Axial slice 135 of 470 of a contrast-enhanced abdominal CT in the arterial phase (slice 1 is the lowest), 120 kVp, kernel I26f; 1.00 mm slice thickness and 0.938 mm pixels.
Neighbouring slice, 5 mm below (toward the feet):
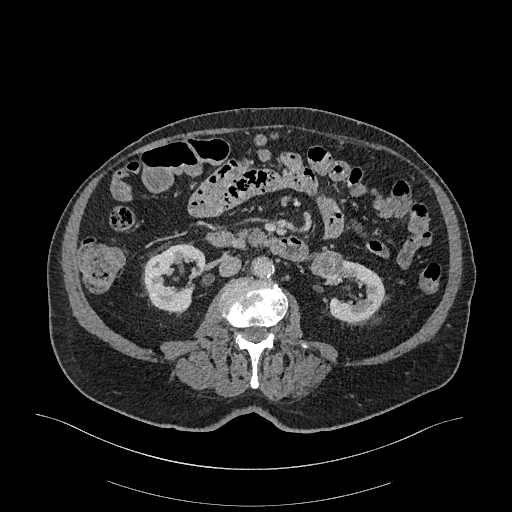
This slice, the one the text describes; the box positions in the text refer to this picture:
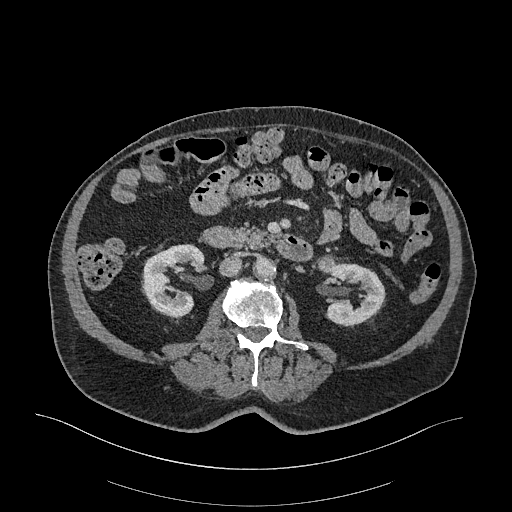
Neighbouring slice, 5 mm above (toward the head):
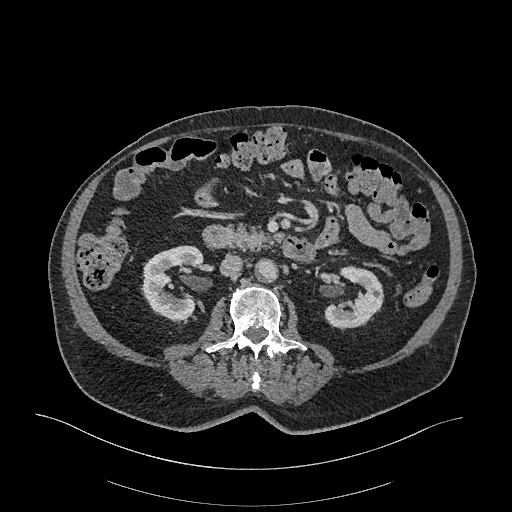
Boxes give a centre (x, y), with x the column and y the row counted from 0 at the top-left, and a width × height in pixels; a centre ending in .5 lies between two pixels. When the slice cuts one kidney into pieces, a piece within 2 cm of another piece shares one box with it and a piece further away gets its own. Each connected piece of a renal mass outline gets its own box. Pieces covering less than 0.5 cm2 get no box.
Two kidney boxes and one renal mass box on this slice; by box centre, from the image's left to its right: (1) Box centre (173.5, 281.5), 64 × 76 pixels: right kidney (outlined area 3,207 px, about 28.2 cm2). (2) Box centre (325.5, 263.5), 16 × 14 pixels: left renal mass (outlined area 178 px, about 1.6 cm2). (3) Left kidney in a box with centre (351, 292), 69 × 71 pixels (outlined area 3,024 px, about 26.6 cm2). This slice lies near the end of the left renal mass toward the head; the slices 5 mm below and 5 mm above it are shown too, and the boxes mark positions on this slice only.